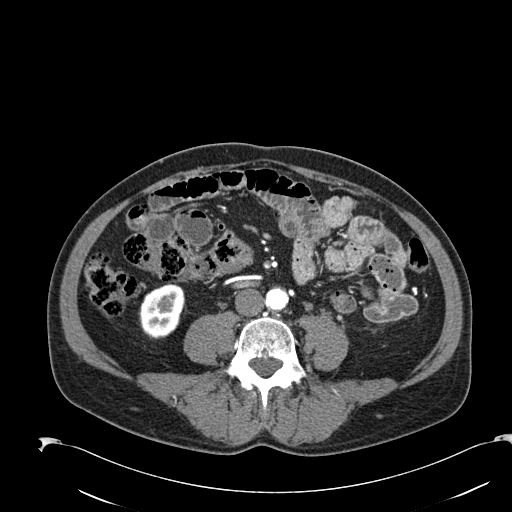
Abdominal CT with intravenous contrast, arterial phase, axial plane, 120 kVp, kernel B30f. Slice 50/274 from the bottom of the scan; thickness 2.00 mm; pixel size 0.809 mm.
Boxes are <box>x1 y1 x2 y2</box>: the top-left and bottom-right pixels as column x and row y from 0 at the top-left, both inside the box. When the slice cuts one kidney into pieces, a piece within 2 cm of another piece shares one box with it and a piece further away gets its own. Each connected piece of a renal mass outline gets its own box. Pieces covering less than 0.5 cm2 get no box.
Right kidney: <box>138 283 185 338</box> (outlined area 1,970 px, about 12.9 cm2). No renal mass is outlined on this slice.